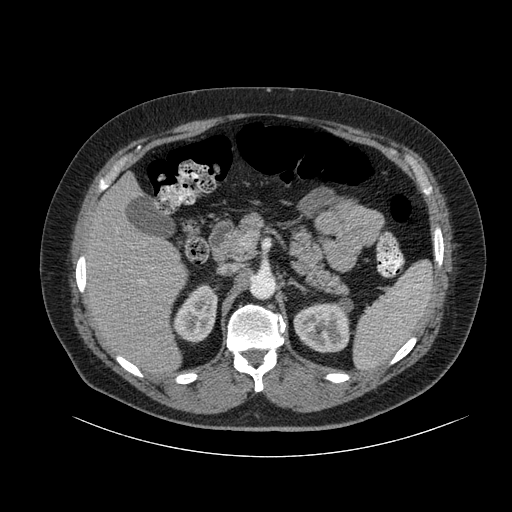
Contrast-enhanced abdominal CT, axial slice 63 of 105 (counted from the lowest slice); tube voltage 120 kVp, convolution kernel B; slices 3.00 mm thick, 0.977 mm per pixel.
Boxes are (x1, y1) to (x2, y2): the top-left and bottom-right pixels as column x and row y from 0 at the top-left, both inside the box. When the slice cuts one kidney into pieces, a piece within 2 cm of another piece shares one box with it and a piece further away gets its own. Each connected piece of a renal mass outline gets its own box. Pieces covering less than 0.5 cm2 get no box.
Two kidney boxes on this slice; by box centre, from the image's left to its right: (1) Right kidney, box (171, 284) to (218, 343) (outlined area 1,908 px, about 18.2 cm2). (2) Left kidney, box (293, 302) to (350, 353) (outlined area 2,329 px, about 22.2 cm2). No renal mass outline on this slice.